Contrast-enhanced abdominal CT, axial slice 24 of 60 (counted from the lowest slice); tube voltage 120 kVp, convolution kernel I30f; slices 5.00 mm thick, 0.971 mm per pixel.
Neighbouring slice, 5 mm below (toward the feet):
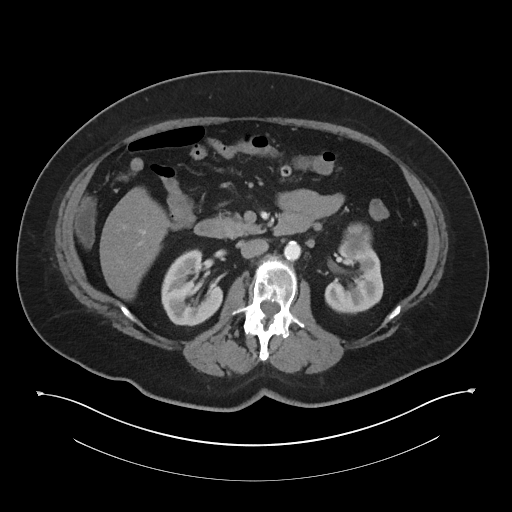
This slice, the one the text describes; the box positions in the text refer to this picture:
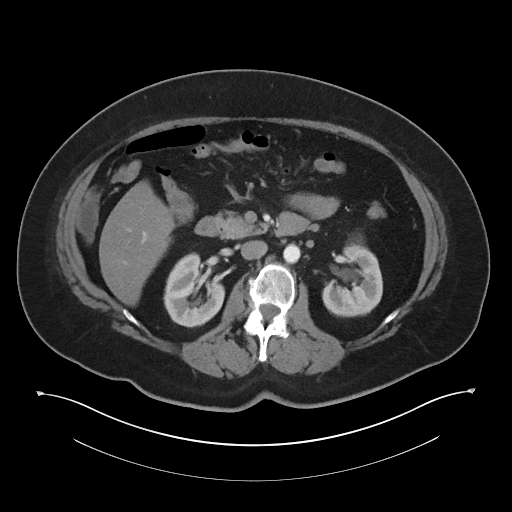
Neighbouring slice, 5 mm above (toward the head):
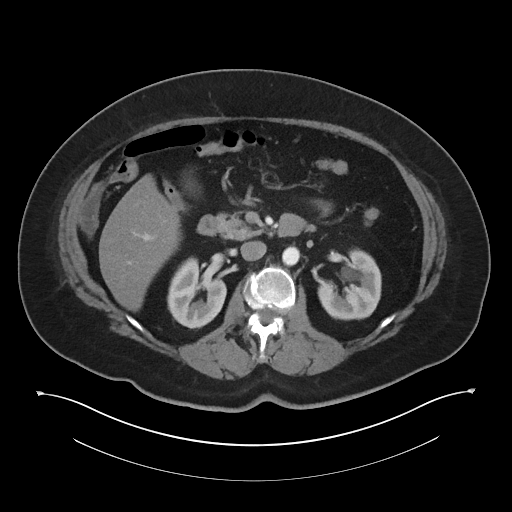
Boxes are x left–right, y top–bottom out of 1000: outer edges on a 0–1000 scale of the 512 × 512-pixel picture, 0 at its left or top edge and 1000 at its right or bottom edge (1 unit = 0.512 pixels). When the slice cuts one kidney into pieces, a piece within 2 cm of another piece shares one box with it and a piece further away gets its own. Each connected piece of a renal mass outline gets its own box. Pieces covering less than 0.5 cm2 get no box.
Two kidney boxes and one renal mass box on this slice; by box centre, from the image's left to its right: (1) Box x 318–439, y 492–641 out of 1000: right kidney (outlined area 3,289 px, about 31.0 cm2). (2) Box x 629–748, y 479–621 out of 1000: left kidney (outlined area 3,250 px, about 30.6 cm2). (3) Left renal mass at x 674–715, y 461–482 out of 1000 (outlined area 105 px, about 1.0 cm2). This slice lies near the end of the left renal mass toward the head; the slices 5 mm below and 5 mm above it are shown too, and the boxes mark positions on this slice only.